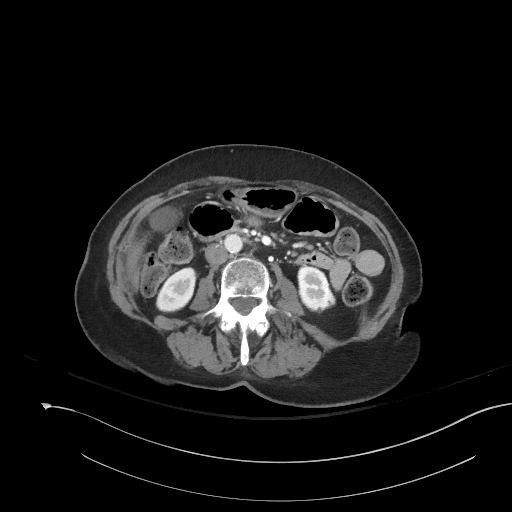
Axial slice 86 of 153 of a contrast-enhanced abdominal CT (slice 1 is the lowest), 120 kVp, kernel I41f; 3.00 mm slice thickness and 0.893 mm pixels.
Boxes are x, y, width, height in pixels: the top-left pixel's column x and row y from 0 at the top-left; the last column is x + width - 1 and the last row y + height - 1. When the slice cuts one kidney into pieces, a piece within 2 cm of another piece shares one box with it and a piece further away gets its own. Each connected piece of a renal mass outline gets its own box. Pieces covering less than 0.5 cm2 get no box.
Two boxes on this slice (two kidney boxes), listed by box centre from the image's left to its right. (1) Right kidney, box x 155, y 267, width 42, height 45 (outlined area 1,343 px, about 10.7 cm2). (2) Left kidney, box x 297, y 266, width 39, height 48 (outlined area 1,362 px, about 10.9 cm2). This slice carries no renal mass outline.